Axial slice 278 of 673 of a contrast-enhanced abdominal CT in the arterial phase (slice 1 is the lowest), 120 kVp, kernel I30f; 1.00 mm slice thickness and 0.855 mm pixels.
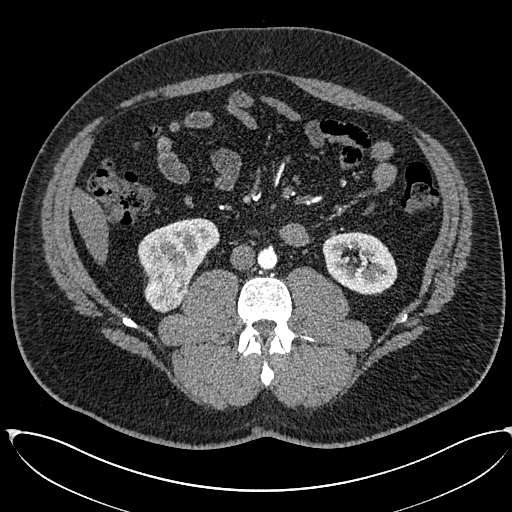
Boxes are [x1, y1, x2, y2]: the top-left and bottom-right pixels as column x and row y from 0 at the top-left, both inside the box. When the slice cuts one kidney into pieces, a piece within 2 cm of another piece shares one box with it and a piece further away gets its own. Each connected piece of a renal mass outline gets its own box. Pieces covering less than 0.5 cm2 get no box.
Three boxes on this slice (two kidney boxes and one renal mass box), listed by box centre from the image's left to its right. (1) Right renal mass, box [144, 265, 189, 312] (outlined area 1,625 px, about 11.9 cm2). (2) Right kidney, box [137, 218, 219, 280] (outlined area 3,359 px, about 24.6 cm2). (3) Left kidney, box [322, 232, 396, 295] (outlined area 3,542 px, about 25.9 cm2).